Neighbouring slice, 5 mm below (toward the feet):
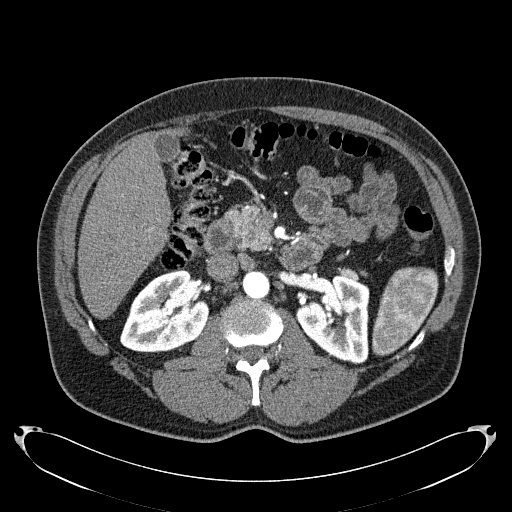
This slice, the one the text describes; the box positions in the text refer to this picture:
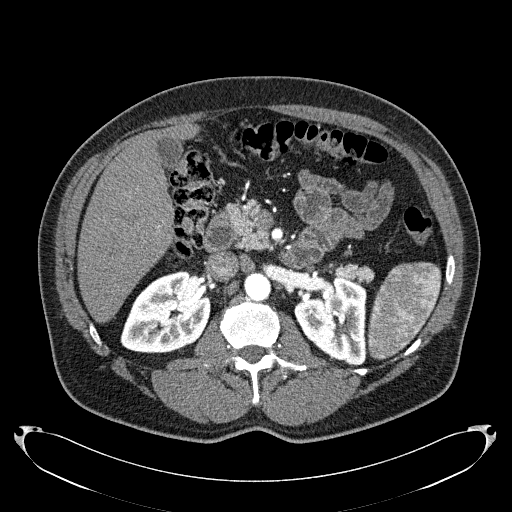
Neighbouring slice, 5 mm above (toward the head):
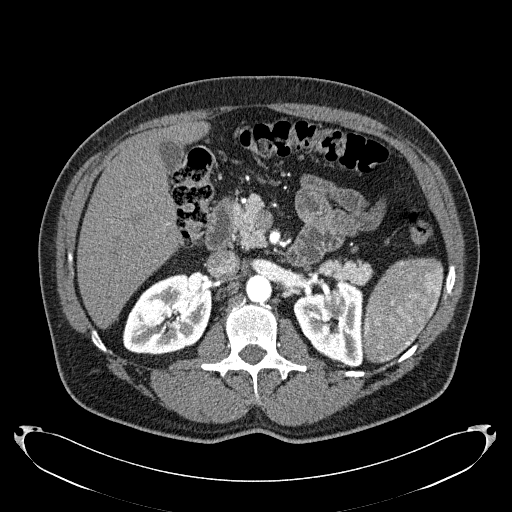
Arterial-phase contrast-enhanced abdominal CT, axial slice 130 of 279 (counted from the lowest slice); tube voltage 120 kVp, convolution kernel B31f; slices 2.00 mm thick, 0.824 mm per pixel.
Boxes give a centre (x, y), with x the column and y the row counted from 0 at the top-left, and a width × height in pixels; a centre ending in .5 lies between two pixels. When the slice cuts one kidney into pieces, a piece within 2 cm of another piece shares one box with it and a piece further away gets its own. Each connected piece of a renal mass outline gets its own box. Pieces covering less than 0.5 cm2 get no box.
Boxed on this slice (two kidney boxes and one renal mass box), listed by box centre from the image's left to its right: (1) Right kidney, box centre (165, 311.5), 91 × 84 pixels (outlined area 5,583 px, about 37.9 cm2). (2) Box centre (330, 320), 73 × 91 pixels: left kidney (outlined area 4,552 px, about 30.9 cm2). (3) Left renal mass, box centre (335, 302.5), 15 × 16 pixels (outlined area 205 px, about 1.4 cm2). This slice lies near the end of the left renal mass toward the feet; the slices 5 mm below and 5 mm above it are shown too, and the boxes mark positions on this slice only.